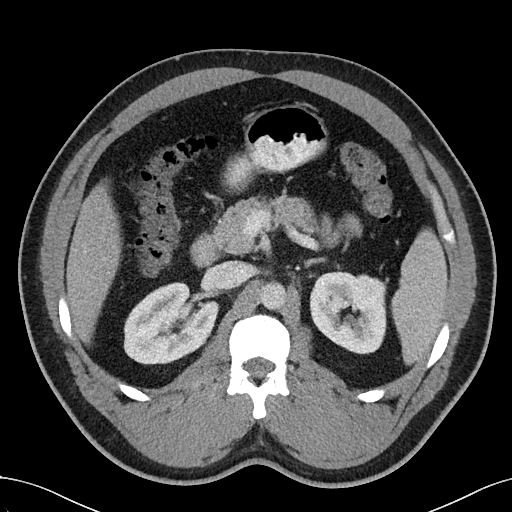
Arterial-phase contrast-enhanced abdominal CT, axial slice 71 of 102 (counted from the lowest slice); tube voltage 100 kVp, convolution kernel I40f; slices 5.00 mm thick, 0.781 mm per pixel.
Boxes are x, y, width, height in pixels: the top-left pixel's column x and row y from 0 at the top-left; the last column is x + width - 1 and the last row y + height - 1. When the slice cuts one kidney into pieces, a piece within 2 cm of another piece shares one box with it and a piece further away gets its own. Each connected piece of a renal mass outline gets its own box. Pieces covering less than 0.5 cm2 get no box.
Two boxes on this slice (two kidney boxes), listed by box centre from the image's left to its right. (1) Box x 123, y 282, width 97, height 83: right kidney (outlined area 5,787 px, about 35.3 cm2). (2) Left kidney at x 309, y 271, width 78, height 84 (outlined area 5,166 px, about 31.5 cm2). This slice carries no renal mass outline.